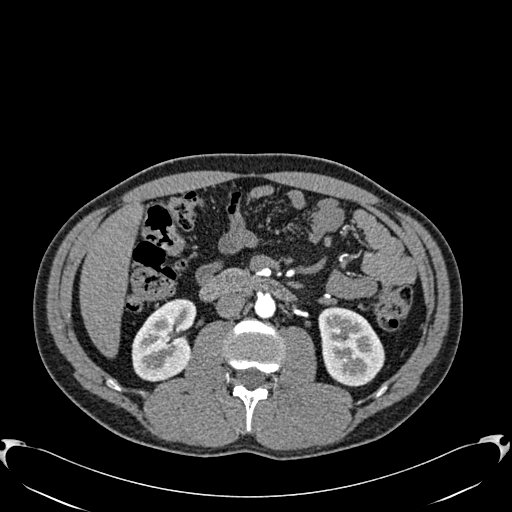
Arterial-phase contrast-enhanced abdominal CT, axial slice 325 of 512 (counted from the lowest slice); tube voltage 120 kVp, convolution kernel B30f; slices 1.00 mm thick, 0.771 mm per pixel.
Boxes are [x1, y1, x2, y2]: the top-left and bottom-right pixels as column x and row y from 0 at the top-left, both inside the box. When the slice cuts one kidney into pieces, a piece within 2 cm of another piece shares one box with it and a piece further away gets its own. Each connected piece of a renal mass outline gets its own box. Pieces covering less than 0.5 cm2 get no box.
Boxed on this slice (two kidney boxes), listed by box centre from the image's left to its right: (1) Box [131, 298, 196, 380]: right kidney (outlined area 3,901 px, about 23.2 cm2). (2) Left kidney at [318, 306, 385, 386] (outlined area 4,046 px, about 24.1 cm2). No renal mass outline on this slice.